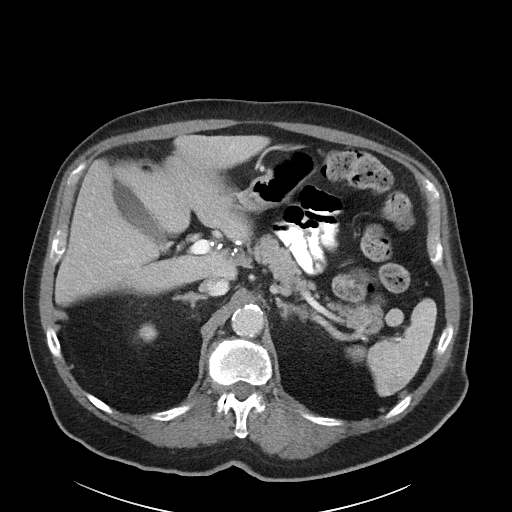
Axial slice 69 of 89 of a contrast-enhanced abdominal CT in the arterial phase (slice 1 is the lowest), 100 kVp, kernel I40f; 5.00 mm slice thickness and 0.885 mm pixels.
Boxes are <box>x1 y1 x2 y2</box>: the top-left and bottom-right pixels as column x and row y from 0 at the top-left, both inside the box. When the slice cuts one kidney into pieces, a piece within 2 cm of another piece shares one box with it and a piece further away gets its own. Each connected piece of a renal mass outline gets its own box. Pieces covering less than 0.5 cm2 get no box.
Right kidney: <box>138 323 157 342</box> (outlined area 294 px, about 2.3 cm2). No renal mass outline on this slice.